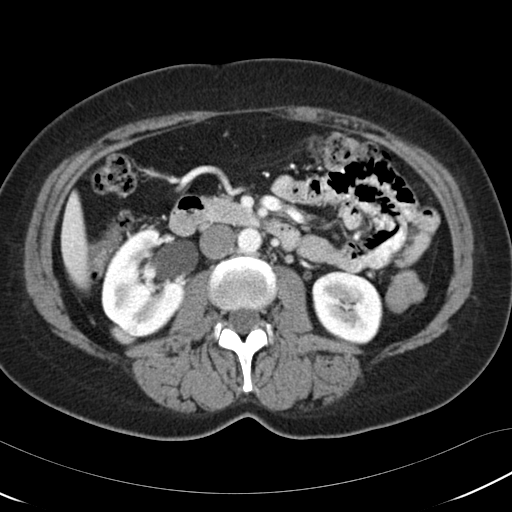
Abdominal CT with intravenous contrast, axial plane, 120 kVp, kernel B30f. Slice 61/97 from the bottom of the scan; thickness 5.00 mm; pixel size 0.664 mm.
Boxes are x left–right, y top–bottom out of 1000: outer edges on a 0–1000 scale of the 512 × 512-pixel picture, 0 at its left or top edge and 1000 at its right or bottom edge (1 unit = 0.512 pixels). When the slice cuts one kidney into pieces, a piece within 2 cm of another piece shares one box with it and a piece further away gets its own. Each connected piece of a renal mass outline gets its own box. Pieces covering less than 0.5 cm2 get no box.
Three boxes on this slice (two kidney boxes and one renal mass box), listed by box centre from the image's left to its right. (1) Right renal mass, box x 215–271, y 629–676 out of 1000 (outlined area 514 px, about 2.3 cm2). (2) Right kidney, box x 197–367, y 447–660 out of 1000 (outlined area 6,429 px, about 28.4 cm2). (3) Left kidney at x 609–748, y 529–674 out of 1000 (outlined area 4,085 px, about 18.0 cm2).